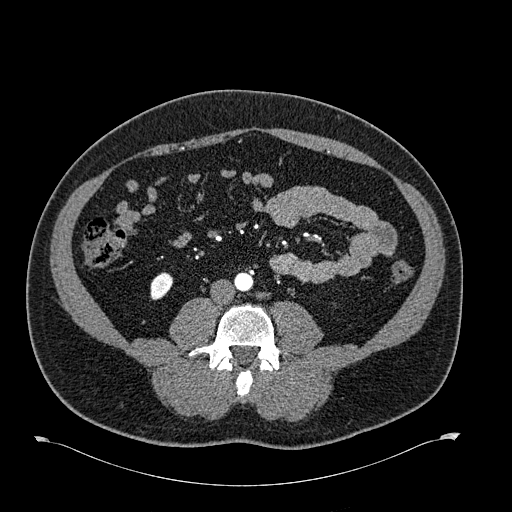
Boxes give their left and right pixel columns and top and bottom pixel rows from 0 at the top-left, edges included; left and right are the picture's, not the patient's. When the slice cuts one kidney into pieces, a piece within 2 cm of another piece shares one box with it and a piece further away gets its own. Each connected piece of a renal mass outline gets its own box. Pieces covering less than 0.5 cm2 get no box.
Arterial-phase contrast-enhanced abdominal CT, axial slice 252 of 723 (counted from the lowest slice); 1.00 mm thick, 0.895 mm per pixel. Box with left 150, top 272, right 173, bottom 300: right kidney (outlined area 487 px, about 3.9 cm2). This slice carries no renal mass outline.
Scan settings: 120 kVp, B30f reconstruction kernel.